Axial slice 73 of 121 of a contrast-enhanced abdominal CT (slice 1 is the lowest), 120 kVp, kernel STANDARD; 2.50 mm slice thickness and 0.742 mm pixels.
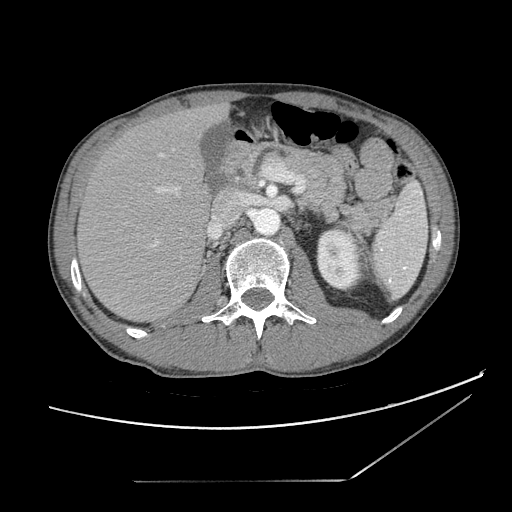
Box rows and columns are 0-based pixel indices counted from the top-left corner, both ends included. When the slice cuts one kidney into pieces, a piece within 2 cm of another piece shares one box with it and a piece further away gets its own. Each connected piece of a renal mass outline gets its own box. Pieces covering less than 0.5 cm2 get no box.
Left kidney, box rows 226–294, columns 315–365 (outlined area 2,623 px, about 14.4 cm2). No renal mass is outlined on this slice.